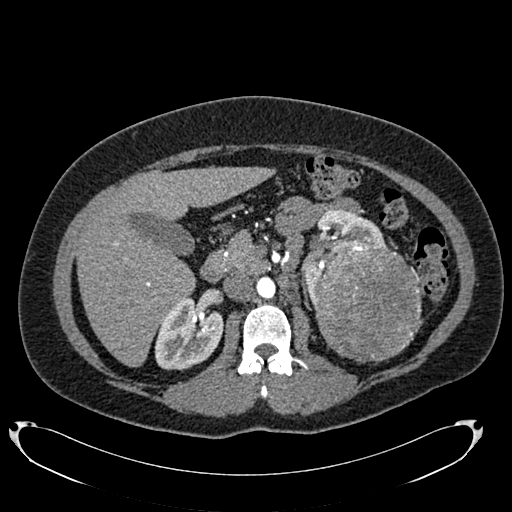
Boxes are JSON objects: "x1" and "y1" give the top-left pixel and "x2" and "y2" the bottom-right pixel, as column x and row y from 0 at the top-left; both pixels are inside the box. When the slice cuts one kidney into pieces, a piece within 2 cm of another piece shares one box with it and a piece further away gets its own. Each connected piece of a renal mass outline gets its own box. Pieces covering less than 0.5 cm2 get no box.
This is axial slice 449 of 634 (slice 1 is the lowest) of an arterial-phase abdominal CT with contrast; each pixel is 0.838 mm and the slice is 1.00 mm thick. Boxed on this slice (two kidney boxes and one renal mass box), listed by box centre from the image's left to its right: (1) Box {"x1": 154, "y1": 296, "x2": 225, "y2": 370}: right kidney (outlined area 3,727 px, about 26.2 cm2). (2) Box {"x1": 302, "y1": 209, "x2": 386, "y2": 305}: left kidney (outlined area 2,694 px, about 18.9 cm2). (3) Box {"x1": 313, "y1": 242, "x2": 423, "y2": 362}: left renal mass (outlined area 10,650 px, about 74.8 cm2).
Tube voltage 120 kVp; convolution kernel B20f.